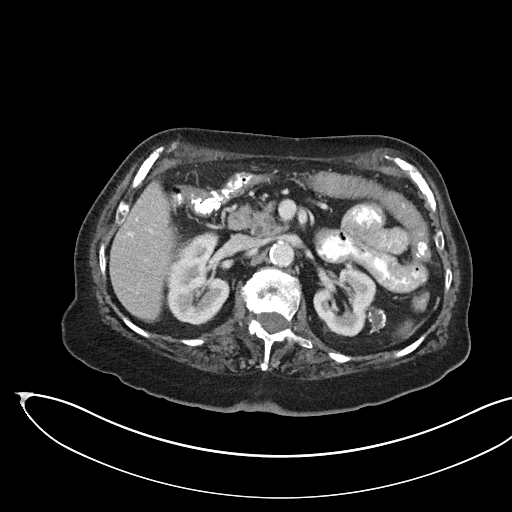
Axial slice 104 of 145 of a contrast-enhanced abdominal CT in the arterial phase (slice 1 is the lowest), 100 kVp, kernel I40f; 3.00 mm slice thickness and 0.834 mm pixels.
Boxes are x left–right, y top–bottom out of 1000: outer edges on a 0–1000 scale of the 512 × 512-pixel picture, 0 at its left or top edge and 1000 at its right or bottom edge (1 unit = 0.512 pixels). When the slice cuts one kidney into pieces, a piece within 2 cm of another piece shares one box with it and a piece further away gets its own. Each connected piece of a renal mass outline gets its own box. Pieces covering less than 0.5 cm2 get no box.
Boxed on this slice (two kidney boxes), listed by box centre from the image's left to its right: (1) Kidney at x 326–451, y 453–635 out of 1000 (outlined area 4,263 px, about 29.7 cm2). (2) Kidney, box x 611–756, y 510–658 out of 1000 (outlined area 3,406 px, about 23.7 cm2). This slice carries no renal mass outline.